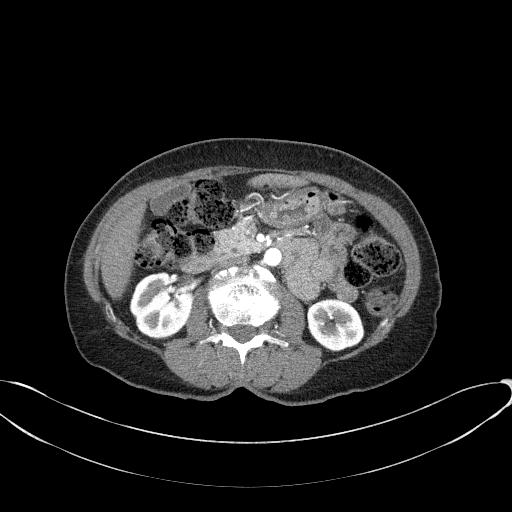
Axial slice 29 of 77 of a contrast-enhanced abdominal CT in the arterial phase (slice 1 is the lowest), 100 kVp, kernel B41f; 3.00 mm slice thickness and 0.809 mm pixels.
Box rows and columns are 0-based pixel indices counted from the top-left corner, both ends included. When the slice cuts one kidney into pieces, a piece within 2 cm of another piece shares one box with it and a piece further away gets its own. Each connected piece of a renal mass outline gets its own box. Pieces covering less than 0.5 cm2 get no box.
Boxed on this slice (two kidney boxes), listed by box centre from the image's left to its right: (1) Right kidney at rows 272–339, columns 129–193 (outlined area 3,267 px, about 21.4 cm2). (2) Left kidney at rows 298–351, columns 307–364 (outlined area 2,402 px, about 15.7 cm2). This slice carries no renal mass outline.